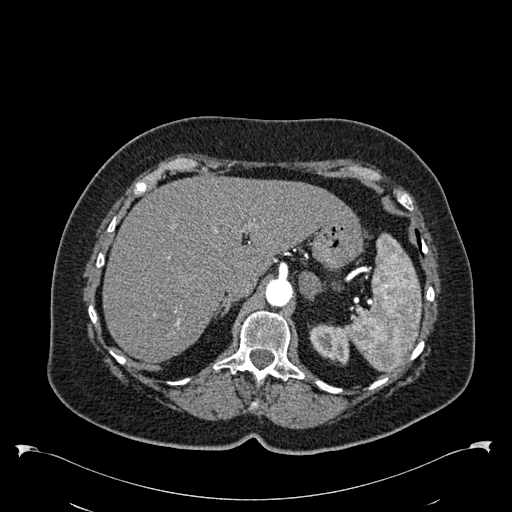
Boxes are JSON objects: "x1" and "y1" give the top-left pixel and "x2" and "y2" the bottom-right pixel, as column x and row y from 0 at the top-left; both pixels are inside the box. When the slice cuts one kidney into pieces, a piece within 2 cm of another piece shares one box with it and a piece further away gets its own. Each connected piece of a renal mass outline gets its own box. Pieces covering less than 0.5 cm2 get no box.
This is axial slice 435 of 538 (slice 1 is the lowest) of an arterial-phase abdominal CT with contrast; each pixel is 0.811 mm and the slice is 1.00 mm thick. Left kidney, box {"x1": 309, "y1": 324, "x2": 349, "y2": 365} (outlined area 1,235 px, about 8.1 cm2). No renal mass is outlined on this slice.
Scan settings: 120 kVp, B30f reconstruction kernel.